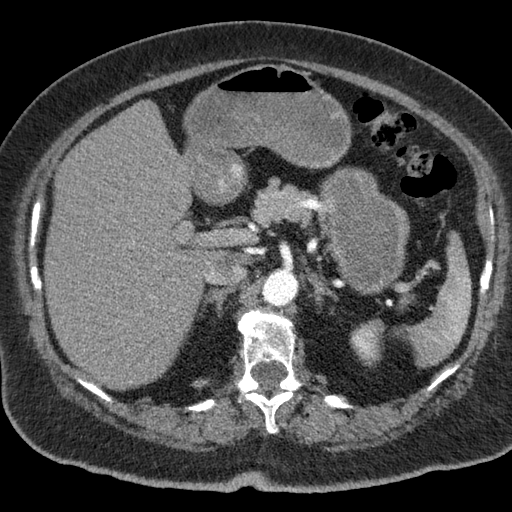
Contrast-enhanced abdominal CT, axial slice 49 of 76 (counted from the lowest slice); tube voltage 120 kVp, convolution kernel B; slices 3.00 mm thick, 0.684 mm per pixel.
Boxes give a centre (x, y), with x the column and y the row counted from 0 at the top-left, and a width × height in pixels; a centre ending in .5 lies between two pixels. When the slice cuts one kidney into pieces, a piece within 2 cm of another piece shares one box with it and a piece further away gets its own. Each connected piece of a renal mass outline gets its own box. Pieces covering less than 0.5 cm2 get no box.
Left kidney in a box with centre (367.5, 342), 36 × 49 pixels (outlined area 1,242 px, about 5.8 cm2). No renal mass is outlined on this slice.